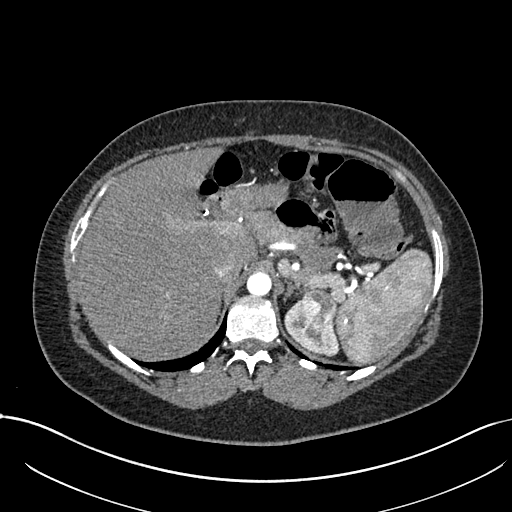
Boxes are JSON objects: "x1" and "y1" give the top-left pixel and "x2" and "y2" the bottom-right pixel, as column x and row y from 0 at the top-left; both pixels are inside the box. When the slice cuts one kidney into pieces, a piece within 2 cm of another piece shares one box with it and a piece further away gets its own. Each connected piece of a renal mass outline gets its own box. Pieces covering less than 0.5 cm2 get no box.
Slice 554/738 of a contrast-enhanced abdominal CT in the arterial phase, counting up from the lowest; pixel size 0.789 mm, slice thickness 1.00 mm. One kidney box and one renal mass box on this slice; by box centre, from the image's left to its right: (1) Box {"x1": 284, "y1": 299, "x2": 338, "y2": 356}: left kidney (outlined area 1,351 px, about 8.4 cm2). (2) Left renal mass, box {"x1": 301, "y1": 289, "x2": 335, "y2": 334} (outlined area 1,304 px, about 8.1 cm2).
Tube voltage 120 kVp; convolution kernel I30f.